Arterial-phase contrast-enhanced abdominal CT, axial slice 456 of 532 (counted from the lowest slice); tube voltage 120 kVp, convolution kernel B30f; slices 1.00 mm thick, 0.713 mm per pixel.
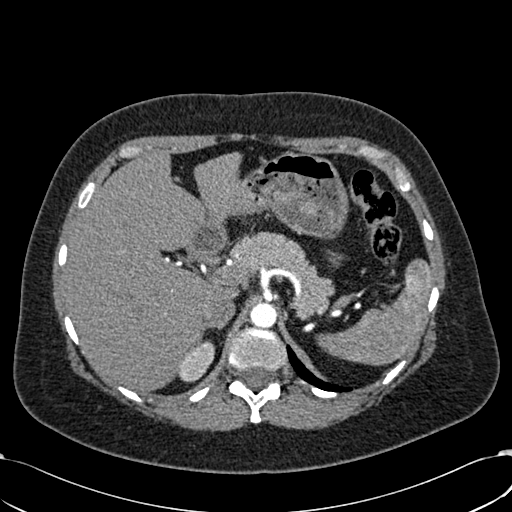
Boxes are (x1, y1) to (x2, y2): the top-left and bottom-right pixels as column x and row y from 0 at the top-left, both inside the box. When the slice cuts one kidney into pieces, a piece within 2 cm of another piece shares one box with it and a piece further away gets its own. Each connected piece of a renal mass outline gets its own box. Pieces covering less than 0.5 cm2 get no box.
Right kidney from (177, 340) to (214, 382) (outlined area 1,065 px, about 5.4 cm2). No renal mass is outlined on this slice.